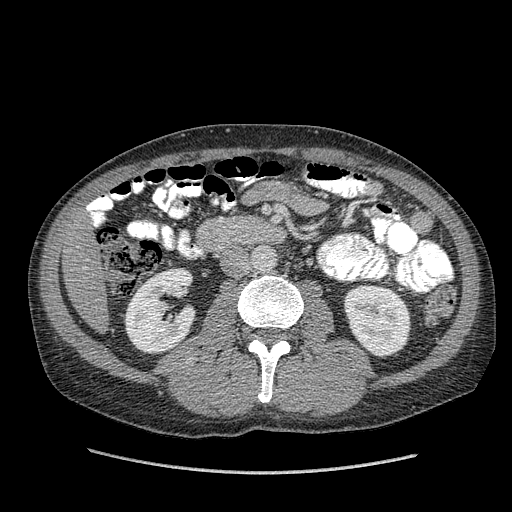
Axial slice 189 of 349 of a contrast-enhanced abdominal CT in the arterial phase (slice 1 is the lowest), 120 kVp, kernel STANDARD; 1.25 mm slice thickness and 0.742 mm pixels.
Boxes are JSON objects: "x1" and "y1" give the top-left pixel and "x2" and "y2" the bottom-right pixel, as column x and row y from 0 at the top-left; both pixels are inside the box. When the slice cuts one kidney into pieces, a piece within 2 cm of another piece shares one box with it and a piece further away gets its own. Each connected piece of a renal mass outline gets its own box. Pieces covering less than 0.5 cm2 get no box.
Two kidney boxes on this slice; by box centre, from the image's left to its right: (1) Box {"x1": 124, "y1": 267, "x2": 195, "y2": 354}: right kidney (outlined area 4,567 px, about 25.2 cm2). (2) Box {"x1": 343, "y1": 284, "x2": 410, "y2": 357}: left kidney (outlined area 3,875 px, about 21.3 cm2). This slice carries no renal mass outline.